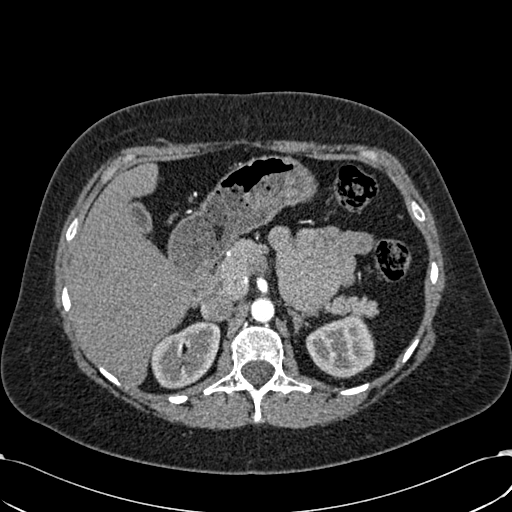
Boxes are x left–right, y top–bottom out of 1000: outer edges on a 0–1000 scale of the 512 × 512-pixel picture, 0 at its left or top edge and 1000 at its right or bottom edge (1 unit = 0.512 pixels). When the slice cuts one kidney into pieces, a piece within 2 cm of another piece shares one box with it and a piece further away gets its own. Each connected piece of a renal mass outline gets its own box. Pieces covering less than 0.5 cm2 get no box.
This is axial slice 421 of 532 (slice 1 is the lowest) of an arterial-phase abdominal CT with contrast; each pixel is 0.713 mm and the slice is 1.00 mm thick. Two boxes on this slice (two kidney boxes), listed by box centre from the image's left to its right. (1) Box x 289–432, y 625–760 out of 1000: right kidney (outlined area 3,441 px, about 17.5 cm2). (2) Box x 596–734, y 615–740 out of 1000: left kidney (outlined area 3,263 px, about 16.6 cm2). This slice carries no renal mass outline.
Tube voltage 120 kVp; convolution kernel B30f.